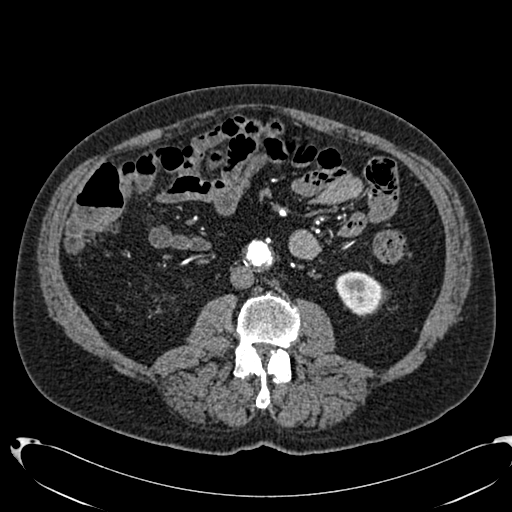
One axial slice (327 of 553, counting up from the lowest) of an arterial-phase abdominal CT acquired with 120 kVp, kernel B20f; each pixel is 0.773 mm and the slice is 1.00 mm thick.
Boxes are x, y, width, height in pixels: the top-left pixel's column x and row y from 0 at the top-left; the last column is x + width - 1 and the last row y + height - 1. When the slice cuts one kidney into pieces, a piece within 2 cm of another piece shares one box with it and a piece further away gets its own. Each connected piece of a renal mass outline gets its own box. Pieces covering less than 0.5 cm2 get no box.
Left kidney at x 335, y 271, width 48, height 45 (outlined area 1,584 px, about 9.5 cm2). No renal mass outline on this slice.